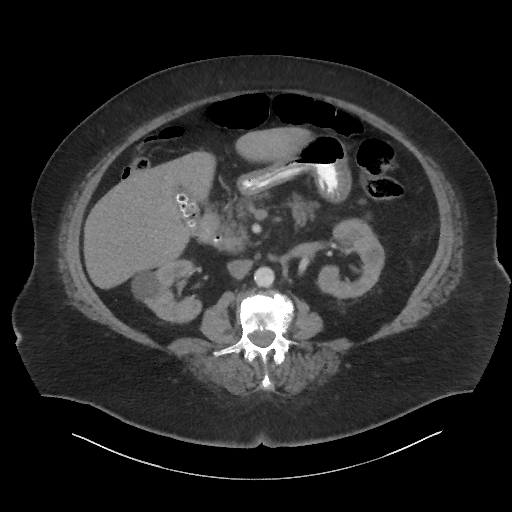
Abdominal CT with intravenous contrast, axial plane, 140 kVp, kernel I44f. Slice 34/86 from the bottom of the scan; thickness 3.00 mm; pixel size 0.977 mm.
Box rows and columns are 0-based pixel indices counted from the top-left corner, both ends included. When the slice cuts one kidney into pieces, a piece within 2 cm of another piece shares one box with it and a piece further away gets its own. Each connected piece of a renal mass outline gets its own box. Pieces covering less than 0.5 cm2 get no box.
Boxed on this slice (two kidney boxes), listed by box centre from the image's left to its right: (1) Box rows 260–323, columns 132–201: right kidney (outlined area 2,826 px, about 27.0 cm2). (2) Box rows 218–299, columns 316–384: left kidney (outlined area 3,465 px, about 33.0 cm2). This slice carries no renal mass outline.